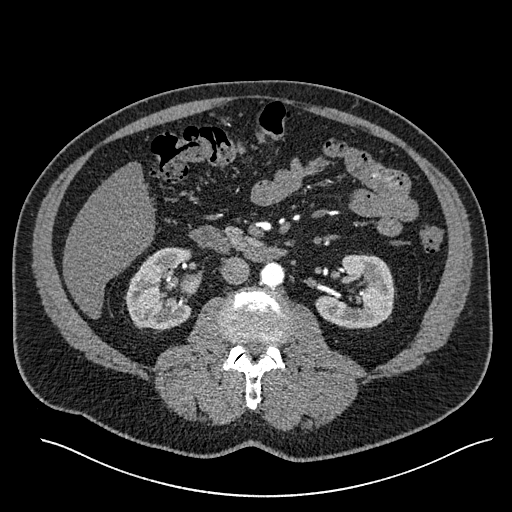
One axial slice (299 of 527, counting up from the lowest) of an arterial-phase abdominal CT acquired with 120 kVp, kernel I30f; each pixel is 0.859 mm and the slice is 1.00 mm thick.
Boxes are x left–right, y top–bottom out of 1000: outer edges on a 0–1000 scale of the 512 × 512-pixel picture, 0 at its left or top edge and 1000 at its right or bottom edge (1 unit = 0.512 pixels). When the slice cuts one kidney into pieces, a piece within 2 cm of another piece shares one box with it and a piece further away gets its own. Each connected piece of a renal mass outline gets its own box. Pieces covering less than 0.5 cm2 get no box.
Boxed on this slice (two kidney boxes), listed by box centre from the image's left to its right: (1) Right kidney, box x 242–375, y 482–652 out of 1000 (outlined area 4,251 px, about 31.4 cm2). (2) Left kidney, box x 617–773, y 496–643 out of 1000 (outlined area 4,162 px, about 30.7 cm2). No renal mass outline on this slice.